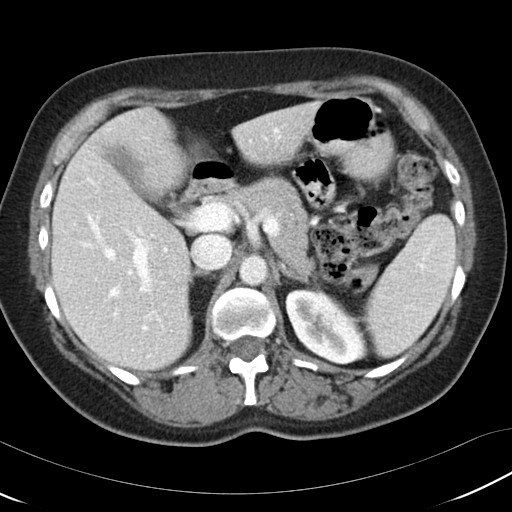
One axial slice (74 of 97, counting up from the lowest) of a contrast-enhanced abdominal CT acquired with 120 kVp, kernel B30f; each pixel is 0.664 mm and the slice is 5.00 mm thick.
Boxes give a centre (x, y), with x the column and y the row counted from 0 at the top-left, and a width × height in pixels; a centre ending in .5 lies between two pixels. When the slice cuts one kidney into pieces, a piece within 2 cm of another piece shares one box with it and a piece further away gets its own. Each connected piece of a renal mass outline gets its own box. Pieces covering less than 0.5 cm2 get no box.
Left kidney, box centre (327, 326), 85 × 77 pixels (outlined area 4,298 px, about 19.0 cm2). This slice carries no renal mass outline.